Abdominal CT with intravenous contrast, arterial phase, axial plane, 120 kVp, kernel I26f. Slice 200/548 from the bottom of the scan; thickness 1.00 mm; pixel size 0.852 mm.
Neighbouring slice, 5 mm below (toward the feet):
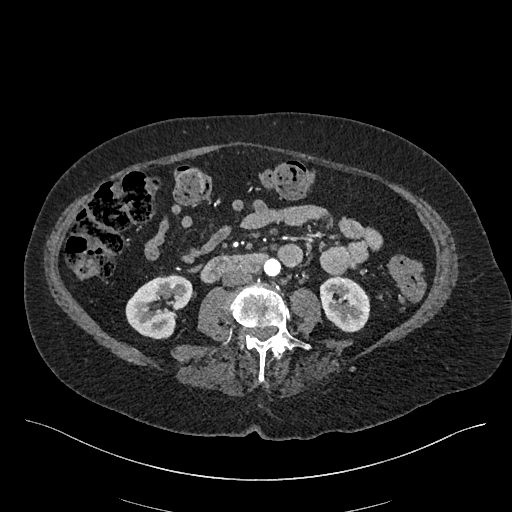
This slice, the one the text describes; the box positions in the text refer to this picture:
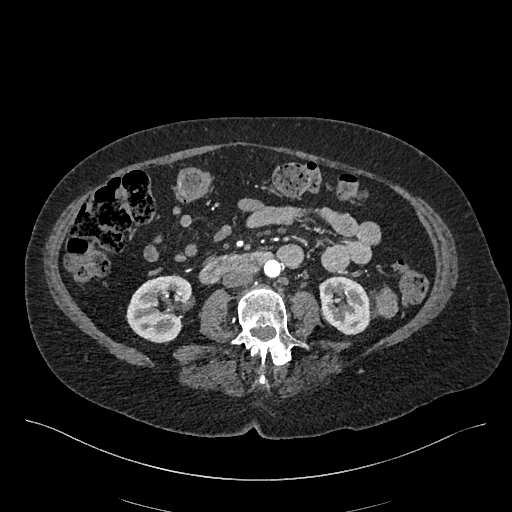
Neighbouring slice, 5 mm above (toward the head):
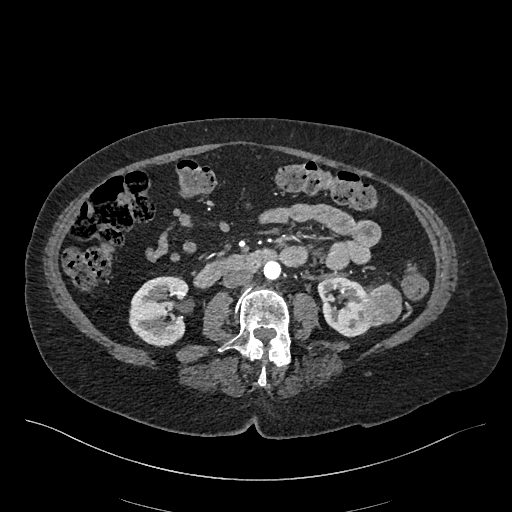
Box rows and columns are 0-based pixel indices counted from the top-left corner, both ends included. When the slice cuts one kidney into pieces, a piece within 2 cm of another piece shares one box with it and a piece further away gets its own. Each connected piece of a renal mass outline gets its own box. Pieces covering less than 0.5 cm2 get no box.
Boxed on this slice (two kidney boxes and one renal mass box), listed by box centre from the image's left to its right: (1) Right kidney, box rows 274–343, columns 126–192 (outlined area 3,264 px, about 23.7 cm2). (2) Left kidney at rows 276–335, columns 319–370 (outlined area 2,405 px, about 17.4 cm2). (3) Left renal mass, box rows 286–318, columns 376–398 (outlined area 556 px, about 4.0 cm2). This slice lies near the end of the left renal mass toward the feet; the slices 5 mm below and 5 mm above it are shown too, and the boxes mark positions on this slice only.